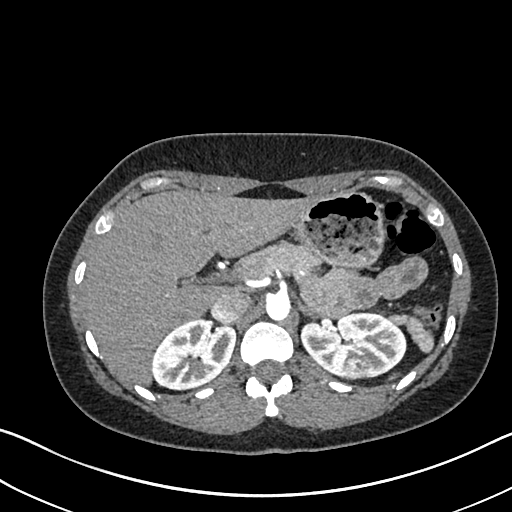
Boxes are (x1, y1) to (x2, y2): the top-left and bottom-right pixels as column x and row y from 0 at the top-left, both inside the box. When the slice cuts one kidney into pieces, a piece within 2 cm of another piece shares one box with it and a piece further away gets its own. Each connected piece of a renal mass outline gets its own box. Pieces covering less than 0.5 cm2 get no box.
This is axial slice 485 of 612 (slice 1 is the lowest) of an arterial-phase abdominal CT with contrast; each pixel is 0.703 mm and the slice is 1.00 mm thick. Three boxes on this slice (two kidney boxes and one renal mass box), listed by box centre from the image's left to its right. (1) Right kidney, box (151, 318) to (235, 389) (outlined area 4,525 px, about 22.4 cm2). (2) Box (300, 311) to (406, 380): left kidney (outlined area 5,149 px, about 25.5 cm2). (3) Left renal mass from (346, 356) to (368, 379) (outlined area 418 px, about 2.1 cm2).
Tube voltage 120 kVp; convolution kernel I30f.